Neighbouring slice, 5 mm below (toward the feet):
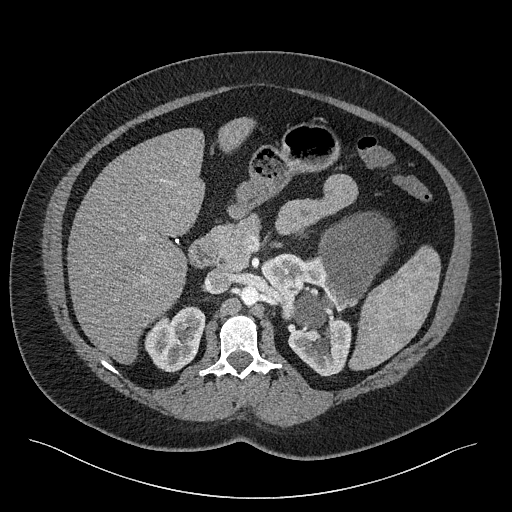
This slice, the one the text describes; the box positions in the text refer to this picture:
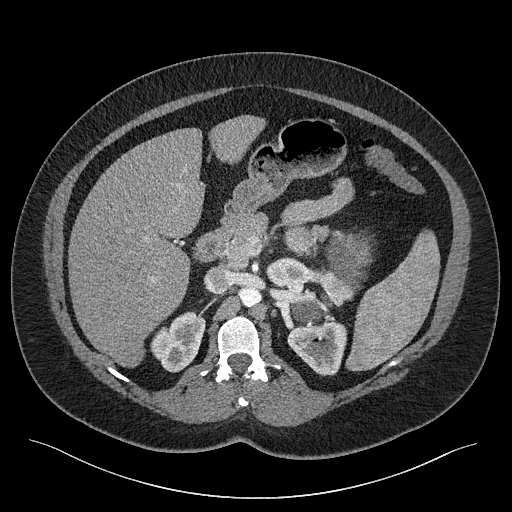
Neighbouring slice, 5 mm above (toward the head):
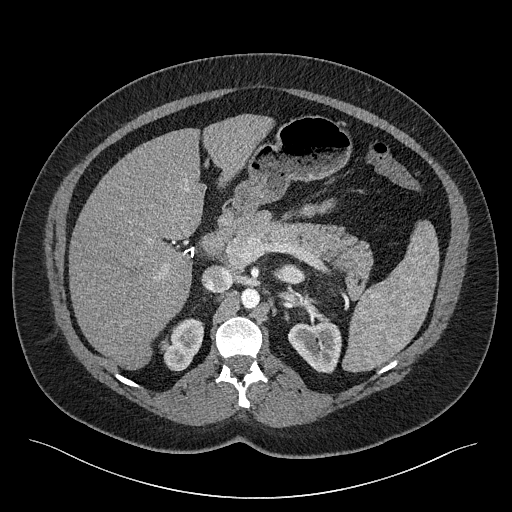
One axial slice (160 of 301, counting up from the lowest) of a contrast-enhanced abdominal CT acquired with 120 kVp, kernel I40f; each pixel is 0.859 mm and the slice is 2.00 mm thick.
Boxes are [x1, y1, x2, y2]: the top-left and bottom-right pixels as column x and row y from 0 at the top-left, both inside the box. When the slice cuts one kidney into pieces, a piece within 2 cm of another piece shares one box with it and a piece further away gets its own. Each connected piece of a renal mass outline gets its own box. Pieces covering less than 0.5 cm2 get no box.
Five boxes on this slice (three kidney boxes and two renal mass boxes), listed by box centre from the image's left to its right. (1) Right kidney at [150, 311, 205, 372] (outlined area 2,298 px, about 17.0 cm2). (2) Left kidney (one of two boxed parts) at [265, 256, 315, 294] (outlined area 1,337 px, about 9.9 cm2). (3) Box [288, 300, 320, 322]: left renal mass (outlined area 532 px, about 3.9 cm2). (4) Left kidney (one of two boxed parts), box [287, 322, 347, 375] (outlined area 2,360 px, about 17.4 cm2). (5) Left renal mass at [297, 230, 372, 306] (outlined area 3,182 px, about 23.5 cm2). This slice lies near the end of the left renal mass toward the head; the slices 5 mm below and 5 mm above it are shown too, and the boxes mark positions on this slice only.